Arterial-phase contrast-enhanced abdominal CT, axial slice 222 of 349 (counted from the lowest slice); tube voltage 120 kVp, convolution kernel STANDARD; slices 1.25 mm thick, 0.742 mm per pixel.
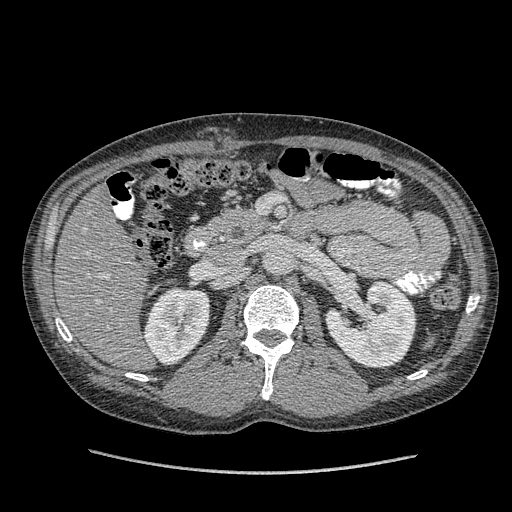
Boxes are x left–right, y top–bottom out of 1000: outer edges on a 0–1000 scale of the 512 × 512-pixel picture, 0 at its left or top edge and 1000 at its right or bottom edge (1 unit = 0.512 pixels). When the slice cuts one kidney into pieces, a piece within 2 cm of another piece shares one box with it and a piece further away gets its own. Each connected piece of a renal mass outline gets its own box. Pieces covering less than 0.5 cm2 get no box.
Boxed on this slice (two kidney boxes), listed by box centre from the image's left to its right: (1) Right kidney, box x 281–412, y 559–711 out of 1000 (outlined area 3,910 px, about 21.5 cm2). (2) Left kidney, box x 635–814, y 543–721 out of 1000 (outlined area 5,848 px, about 32.2 cm2). No renal mass is outlined on this slice.